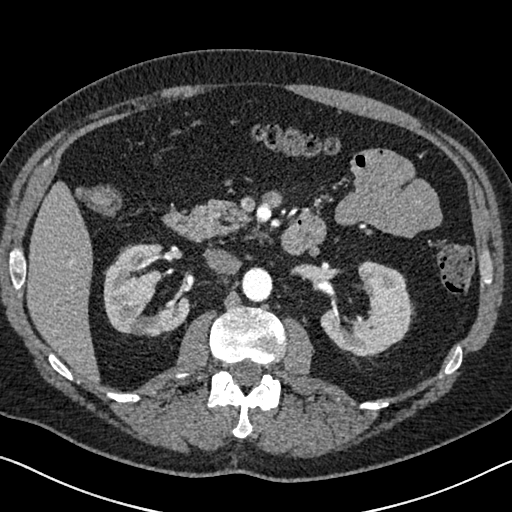
Arterial-phase contrast-enhanced abdominal CT, axial slice 406 of 626 (counted from the lowest slice); tube voltage 120 kVp, convolution kernel I30f; slices 1.00 mm thick, 0.703 mm per pixel.
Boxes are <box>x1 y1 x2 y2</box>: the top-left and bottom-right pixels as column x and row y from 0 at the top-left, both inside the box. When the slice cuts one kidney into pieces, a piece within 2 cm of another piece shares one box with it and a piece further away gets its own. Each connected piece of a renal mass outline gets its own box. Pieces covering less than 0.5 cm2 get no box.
Boxed on this slice (two kidney boxes), listed by box centre from the image's left to its right: (1) At <box>103 243 189 336</box>: right kidney (outlined area 5,357 px, about 26.5 cm2). (2) Left kidney at <box>320 260 414 358</box> (outlined area 5,263 px, about 26.0 cm2). This slice carries no renal mass outline.